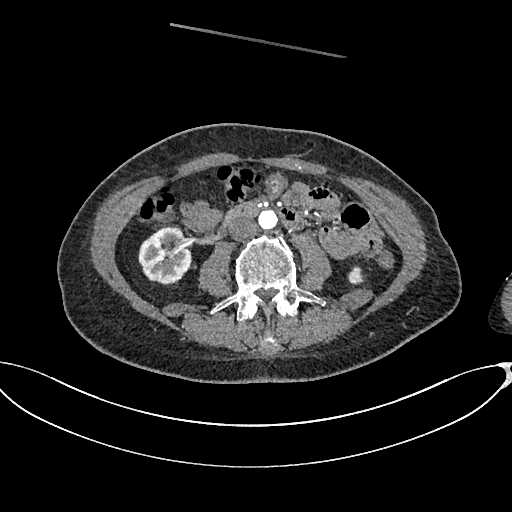
One axial slice (309 of 665, counting up from the lowest) of an arterial-phase abdominal CT acquired with 100 kVp, kernel I26f; each pixel is 0.828 mm and the slice is 1.00 mm thick.
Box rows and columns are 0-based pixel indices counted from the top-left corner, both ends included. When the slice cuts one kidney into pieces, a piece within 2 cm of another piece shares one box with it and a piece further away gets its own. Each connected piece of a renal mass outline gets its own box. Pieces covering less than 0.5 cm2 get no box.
Two kidney boxes on this slice; by box centre, from the image's left to its right: (1) Right kidney at rows 226–285, columns 138–192 (outlined area 2,391 px, about 16.4 cm2). (2) Left kidney, box rows 265–284, columns 347–365 (outlined area 260 px, about 1.8 cm2). No renal mass outline on this slice.